Arterial-phase contrast-enhanced abdominal CT, axial slice 246 of 673 (counted from the lowest slice); tube voltage 120 kVp, convolution kernel I30f; slices 1.00 mm thick, 0.855 mm per pixel.
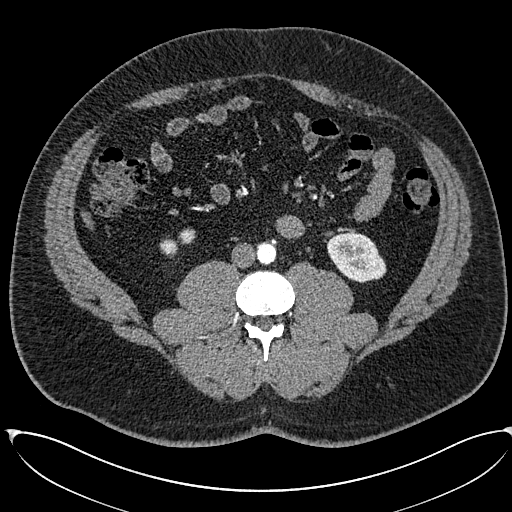
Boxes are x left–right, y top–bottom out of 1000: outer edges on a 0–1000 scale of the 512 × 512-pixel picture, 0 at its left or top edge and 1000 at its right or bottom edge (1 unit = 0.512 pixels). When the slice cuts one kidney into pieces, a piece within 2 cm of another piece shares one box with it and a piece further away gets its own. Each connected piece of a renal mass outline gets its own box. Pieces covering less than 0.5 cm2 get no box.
Boxed on this slice (two kidney boxes), listed by box centre from the image's left to its right: (1) Right kidney, box x 311–383, y 443–502 out of 1000 (outlined area 508 px, about 3.7 cm2). (2) Box x 639–756, y 453–553 out of 1000: left kidney (outlined area 2,202 px, about 16.1 cm2). This slice carries no renal mass outline.